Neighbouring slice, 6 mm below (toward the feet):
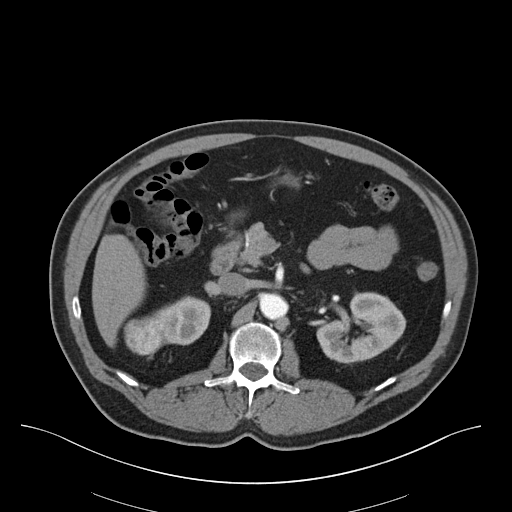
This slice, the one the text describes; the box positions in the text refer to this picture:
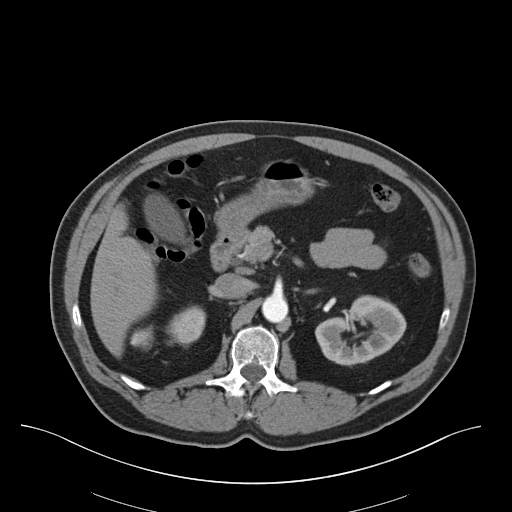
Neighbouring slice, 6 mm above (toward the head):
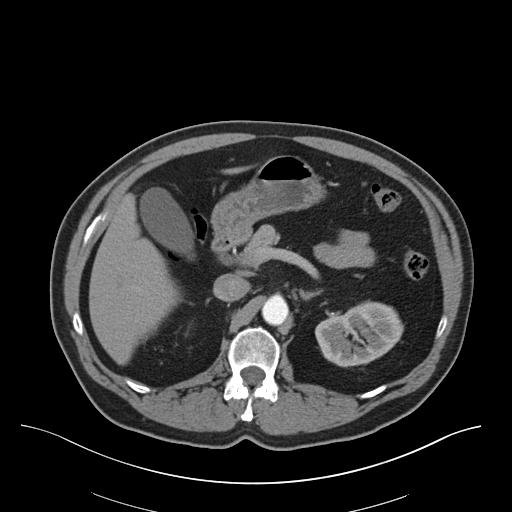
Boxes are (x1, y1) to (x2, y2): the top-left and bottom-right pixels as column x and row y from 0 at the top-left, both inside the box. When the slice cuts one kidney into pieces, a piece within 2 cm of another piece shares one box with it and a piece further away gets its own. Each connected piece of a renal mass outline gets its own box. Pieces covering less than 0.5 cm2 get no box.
This is axial slice 40 of 75 (slice 1 is the lowest) of an abdominal CT with contrast; each pixel is 0.875 mm and the slice is 3.00 mm thick. Boxed on this slice (two kidney boxes and one renal mass box), listed by box centre from the image's left to its right: (1) Right renal mass, box (130, 325) to (153, 350) (outlined area 422 px, about 3.2 cm2). (2) Right kidney from (166, 305) to (206, 347) (outlined area 1,173 px, about 9.0 cm2). (3) Left kidney from (315, 295) to (406, 366) (outlined area 4,208 px, about 32.2 cm2). This slice lies near the end of the right renal mass toward the head; the slices 6 mm below and 6 mm above it are shown too, and the boxes mark positions on this slice only.
Scan settings: 140 kVp, B30f reconstruction kernel.